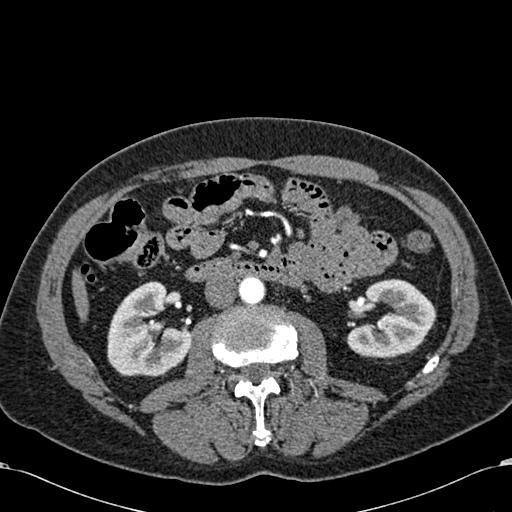
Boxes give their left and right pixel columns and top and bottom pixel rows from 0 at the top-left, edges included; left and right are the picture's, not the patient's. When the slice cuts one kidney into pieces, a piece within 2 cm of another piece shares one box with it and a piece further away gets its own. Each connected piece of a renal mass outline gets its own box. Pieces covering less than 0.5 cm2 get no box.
Slice 317/581 of a contrast-enhanced abdominal CT in the arterial phase, counting up from the lowest; pixel size 0.713 mm, slice thickness 1.00 mm. Boxed on this slice (two kidney boxes), listed by box centre from the image's left to its right: (1) Right kidney, the box with left 107, top 281, right 190, bottom 376 (outlined area 5,655 px, about 28.7 cm2). (2) Left kidney in the box with left 345, top 279, right 436, bottom 358 (outlined area 4,929 px, about 25.0 cm2). No renal mass is outlined on this slice.
Tube voltage 120 kVp; convolution kernel B30f.